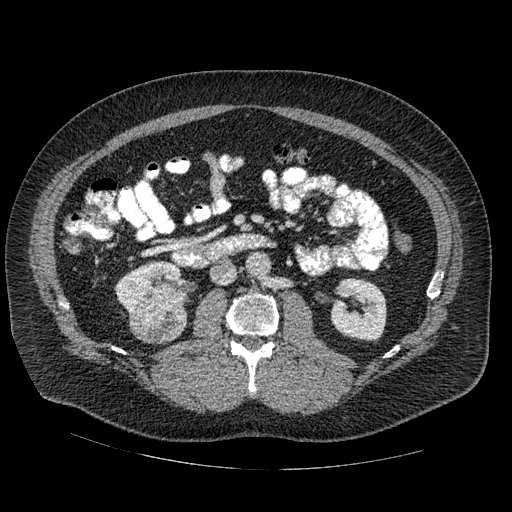
Abdominal CT with intravenous contrast, arterial phase, axial plane, 120 kVp, kernel STANDARD. Slice 262/445 from the bottom of the scan; thickness 1.25 mm; pixel size 0.863 mm.
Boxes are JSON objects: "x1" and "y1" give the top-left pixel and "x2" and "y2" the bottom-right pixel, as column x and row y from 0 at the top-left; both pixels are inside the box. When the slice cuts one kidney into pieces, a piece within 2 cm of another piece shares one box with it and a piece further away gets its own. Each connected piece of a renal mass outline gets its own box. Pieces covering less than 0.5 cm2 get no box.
Three boxes on this slice (two kidney boxes and one renal mass box), listed by box centre from the image's left to its right. (1) Right kidney at {"x1": 116, "y1": 261, "x2": 189, "y2": 313} (outlined area 2,720 px, about 20.3 cm2). (2) Right renal mass at {"x1": 128, "y1": 304, "x2": 187, "y2": 344} (outlined area 1,947 px, about 14.5 cm2). (3) Left kidney, box {"x1": 330, "y1": 279, "x2": 386, "y2": 341} (outlined area 2,763 px, about 20.6 cm2).